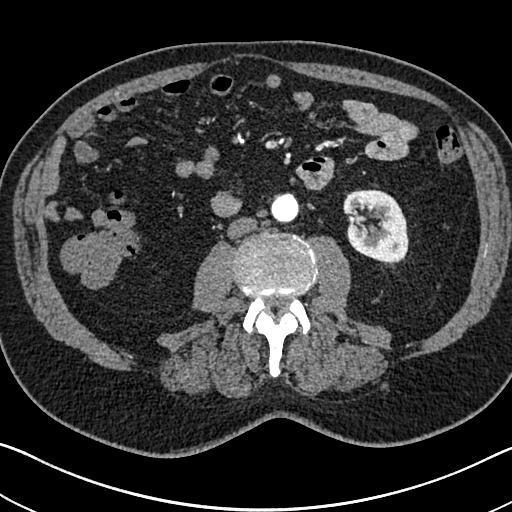
Arterial-phase contrast-enhanced abdominal CT, axial slice 327 of 705 (counted from the lowest slice); tube voltage 120 kVp, convolution kernel I30f; slices 1.00 mm thick, 0.703 mm per pixel.
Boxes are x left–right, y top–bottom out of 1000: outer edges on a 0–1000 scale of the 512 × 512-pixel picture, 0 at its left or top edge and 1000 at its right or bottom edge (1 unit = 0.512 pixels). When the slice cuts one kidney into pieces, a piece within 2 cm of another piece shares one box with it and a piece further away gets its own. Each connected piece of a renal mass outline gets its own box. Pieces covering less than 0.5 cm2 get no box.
Left kidney at x 670–799, y 369–516 out of 1000 (outlined area 3,792 px, about 18.7 cm2). No renal mass outline on this slice.